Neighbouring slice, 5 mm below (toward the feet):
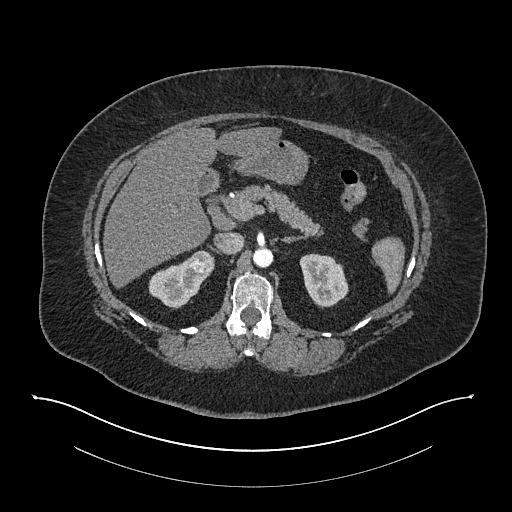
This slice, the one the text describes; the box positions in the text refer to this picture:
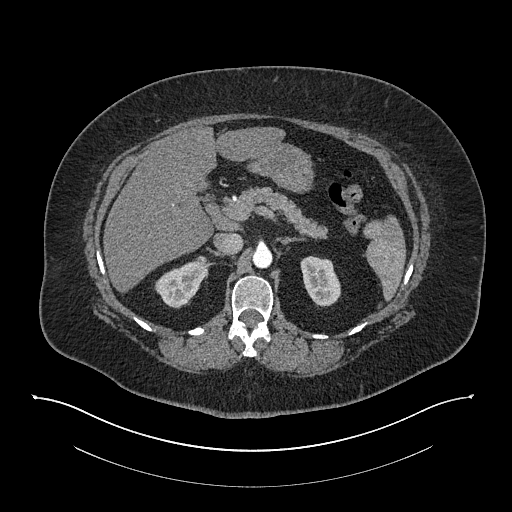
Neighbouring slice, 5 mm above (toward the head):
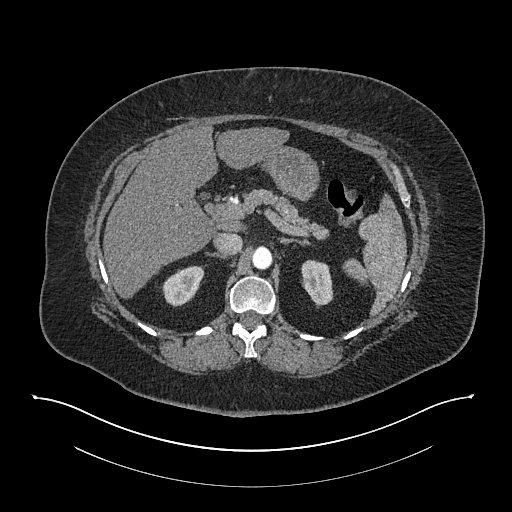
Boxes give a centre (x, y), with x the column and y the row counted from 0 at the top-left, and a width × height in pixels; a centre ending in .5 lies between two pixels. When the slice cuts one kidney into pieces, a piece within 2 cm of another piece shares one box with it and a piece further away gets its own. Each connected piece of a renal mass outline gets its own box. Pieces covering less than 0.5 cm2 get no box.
This is axial slice 546 of 673 (slice 1 is the lowest) of an arterial-phase abdominal CT with contrast; each pixel is 0.957 mm and the slice is 1.00 mm thick. Boxed on this slice (two kidney boxes and one renal mass box), listed by box centre from the image's left to its right: (1) Right kidney, box centre (182, 283.5), 57 × 50 pixels (outlined area 1,618 px, about 14.8 cm2). (2) Box centre (199.5, 262), 14 × 13 pixels: right renal mass (outlined area 129 px, about 1.2 cm2). (3) Left kidney, box centre (320, 281), 41 × 51 pixels (outlined area 1,554 px, about 14.2 cm2). This slice is near the end of the right renal mass toward the head, so the slices 5 mm below and 5 mm above it are shown as well; the boxes refer to this slice only.
Acquired at 140 kVp and reconstructed with the I30f kernel.